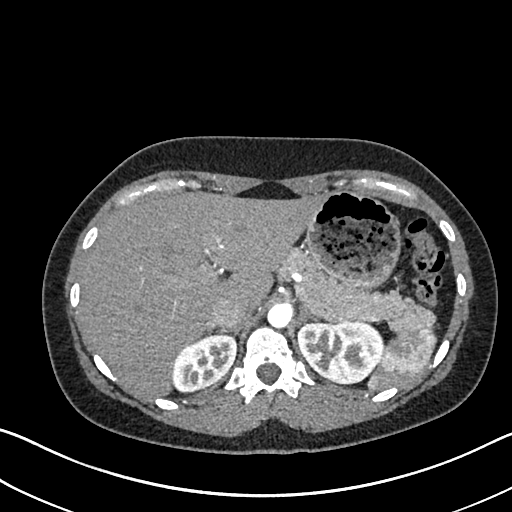
Arterial-phase contrast-enhanced abdominal CT, axial slice 520 of 612 (counted from the lowest slice); tube voltage 120 kVp, convolution kernel I30f; slices 1.00 mm thick, 0.703 mm per pixel.
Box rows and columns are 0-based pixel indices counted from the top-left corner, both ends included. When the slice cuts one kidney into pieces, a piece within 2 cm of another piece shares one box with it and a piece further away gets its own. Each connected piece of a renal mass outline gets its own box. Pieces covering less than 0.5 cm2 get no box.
Two boxes on this slice (two kidney boxes), listed by box centre from the image's left to its right. (1) Box rows 333–391, columns 172–236: right kidney (outlined area 2,789 px, about 13.8 cm2). (2) Left kidney, box rows 320–384, columns 297–383 (outlined area 4,356 px, about 21.5 cm2). No renal mass is outlined on this slice.